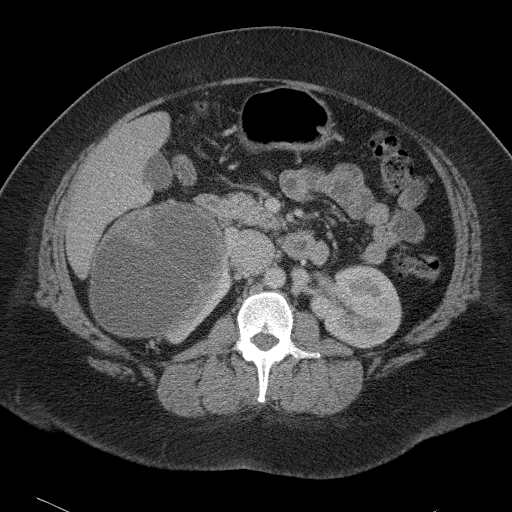
One axial slice (62 of 90, counting up from the lowest) of a contrast-enhanced abdominal CT acquired with 120 kVp, kernel B41f; each pixel is 0.781 mm and the slice is 5.00 mm thick.
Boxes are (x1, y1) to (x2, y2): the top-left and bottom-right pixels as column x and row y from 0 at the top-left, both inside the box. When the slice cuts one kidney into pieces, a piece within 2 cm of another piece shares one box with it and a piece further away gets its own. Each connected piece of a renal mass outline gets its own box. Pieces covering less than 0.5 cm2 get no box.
Boxed on this slice (two kidney boxes and one renal mass box), listed by box centre from the image's left to its right: (1) Right renal mass from (89, 200) to (226, 337) (outlined area 14,008 px, about 85.5 cm2). (2) Right kidney, box (161, 251) to (232, 343) (outlined area 1,792 px, about 10.9 cm2). (3) Left kidney from (310, 264) to (402, 348) (outlined area 5,679 px, about 34.7 cm2).